Contrast-enhanced abdominal CT, axial slice 125 of 206 (counted from the lowest slice); tube voltage 120 kVp, convolution kernel STANDARD; slices 2.50 mm thick, 0.879 mm per pixel.
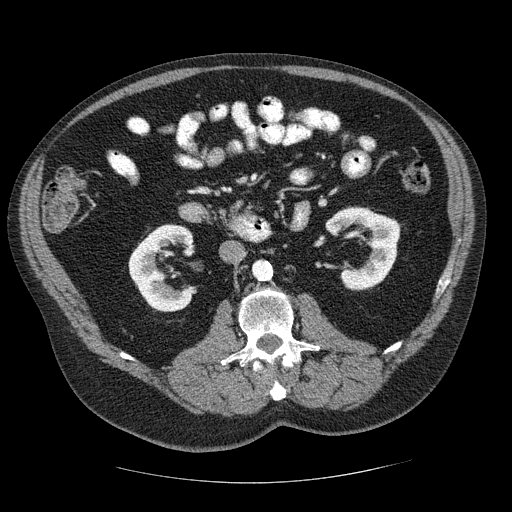
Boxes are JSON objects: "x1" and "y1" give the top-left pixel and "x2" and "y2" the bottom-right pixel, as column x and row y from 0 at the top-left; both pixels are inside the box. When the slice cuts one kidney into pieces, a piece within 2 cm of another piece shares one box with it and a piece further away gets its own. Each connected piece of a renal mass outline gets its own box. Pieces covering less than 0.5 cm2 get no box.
Two kidney boxes on this slice; by box centre, from the image's left to its right: (1) Box {"x1": 128, "y1": 223, "x2": 194, "y2": 312}: right kidney (outlined area 3,901 px, about 30.1 cm2). (2) Left kidney, box {"x1": 324, "y1": 206, "x2": 400, "y2": 290} (outlined area 3,839 px, about 29.7 cm2). No renal mass outline on this slice.